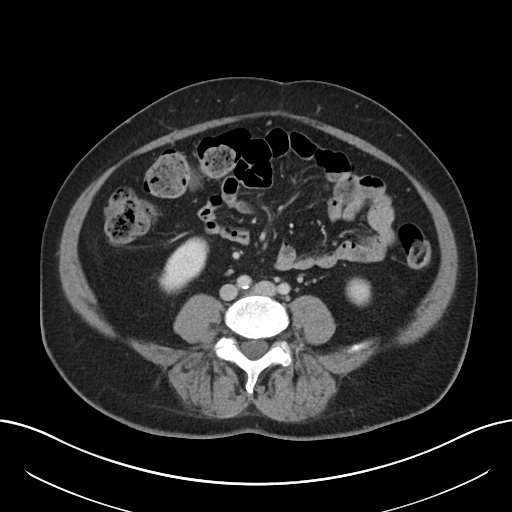
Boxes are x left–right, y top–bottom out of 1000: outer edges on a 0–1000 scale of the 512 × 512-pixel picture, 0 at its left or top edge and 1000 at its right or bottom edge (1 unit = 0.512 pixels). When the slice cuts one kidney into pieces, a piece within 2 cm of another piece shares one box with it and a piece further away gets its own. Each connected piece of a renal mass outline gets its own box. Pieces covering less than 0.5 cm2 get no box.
This is axial slice 90 of 197 (slice 1 is the lowest) of an abdominal CT with contrast; each pixel is 0.791 mm and the slice is 5.00 mm thick. Boxed on this slice (two kidney boxes), listed by box centre from the image's left to its right: (1) Box x 309–410, y 461–576 out of 1000: right kidney (outlined area 1,828 px, about 11.4 cm2). (2) Left kidney, box x 674–727, y 541–598 out of 1000 (outlined area 603 px, about 3.8 cm2). No renal mass is outlined on this slice.
Tube voltage 120 kVp; convolution kernel I30f.